One axial slice (476 of 705, counting up from the lowest) of an arterial-phase abdominal CT acquired with 120 kVp, kernel I30f; each pixel is 0.703 mm and the slice is 1.00 mm thick.
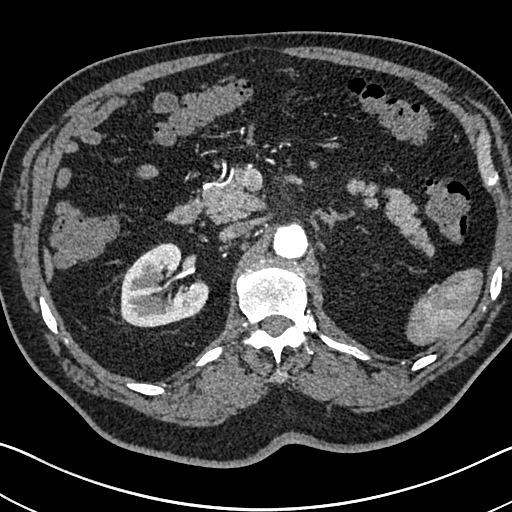
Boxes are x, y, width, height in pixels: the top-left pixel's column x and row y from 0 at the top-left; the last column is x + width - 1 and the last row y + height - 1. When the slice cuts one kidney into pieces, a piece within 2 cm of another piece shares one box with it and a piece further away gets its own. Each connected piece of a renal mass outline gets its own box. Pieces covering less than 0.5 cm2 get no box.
Box x 120, y 242, width 90, height 86: right kidney (outlined area 5,339 px, about 26.4 cm2). No renal mass outline on this slice.